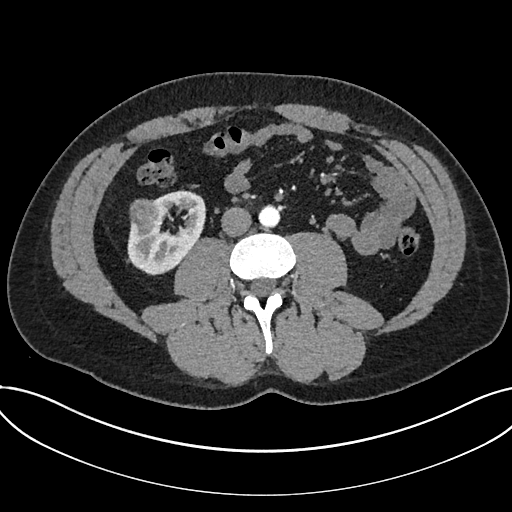
Abdominal CT with intravenous contrast, arterial phase, axial plane, 120 kVp, kernel I30f. Slice 324/735 from the bottom of the scan; thickness 1.00 mm; pixel size 0.789 mm.
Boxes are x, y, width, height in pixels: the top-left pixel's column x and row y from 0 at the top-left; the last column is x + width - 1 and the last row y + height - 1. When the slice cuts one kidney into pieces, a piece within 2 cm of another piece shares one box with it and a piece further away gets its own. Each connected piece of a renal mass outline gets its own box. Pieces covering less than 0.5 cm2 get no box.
One kidney box and one renal mass box on this slice; by box centre, from the image's left to its right: (1) Renal mass at x 129, y 199, width 35, height 33 (outlined area 928 px, about 5.8 cm2). (2) Box x 127, y 190, width 80, height 86: kidney (outlined area 3,910 px, about 24.3 cm2).